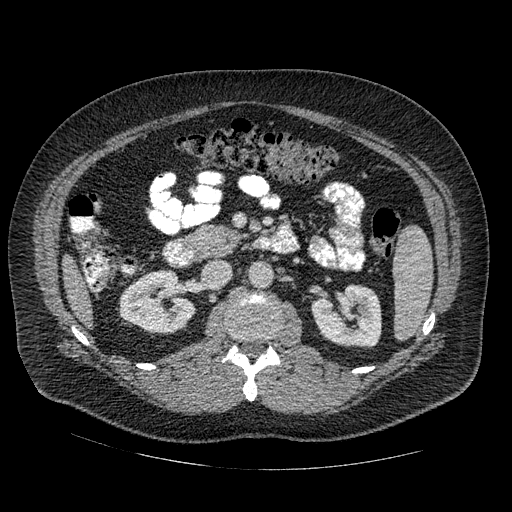
One axial slice (280 of 445, counting up from the lowest) of an arterial-phase abdominal CT acquired with 120 kVp, kernel STANDARD; each pixel is 0.863 mm and the slice is 1.25 mm thick.
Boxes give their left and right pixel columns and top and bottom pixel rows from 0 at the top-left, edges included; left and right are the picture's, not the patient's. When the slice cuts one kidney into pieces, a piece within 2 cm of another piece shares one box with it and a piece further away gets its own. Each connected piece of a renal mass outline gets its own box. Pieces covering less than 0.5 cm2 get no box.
Boxed on this slice (two kidney boxes), listed by box centre from the image's left to its right: (1) Right kidney in the box with left 119, top 269, right 196, bottom 334 (outlined area 3,592 px, about 26.8 cm2). (2) Left kidney, the box with left 311, top 284, right 381, bottom 347 (outlined area 3,416 px, about 25.5 cm2). This slice carries no renal mass outline.